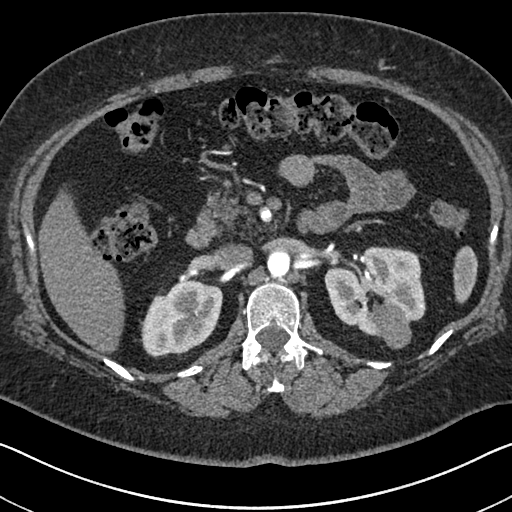
Abdominal CT with intravenous contrast, arterial phase, axial plane, 140 kVp, kernel I30f. Slice 434/591 from the bottom of the scan; thickness 1.00 mm; pixel size 0.703 mm.
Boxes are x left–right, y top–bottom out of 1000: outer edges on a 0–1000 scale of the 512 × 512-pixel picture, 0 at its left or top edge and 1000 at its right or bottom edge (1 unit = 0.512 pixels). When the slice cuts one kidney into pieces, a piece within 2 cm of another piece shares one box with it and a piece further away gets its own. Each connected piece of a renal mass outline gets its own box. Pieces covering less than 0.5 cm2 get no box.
Three boxes on this slice (two kidney boxes and one renal mass box), listed by box centre from the image's left to its right. (1) Box x 273–436, y 547–699 out of 1000: right kidney (outlined area 4,653 px, about 23.0 cm2). (2) Left kidney at x 633–832, y 480–660 out of 1000 (outlined area 5,858 px, about 29.0 cm2). (3) Box x 721–805, y 594–684 out of 1000: left renal mass (outlined area 1,369 px, about 6.8 cm2).